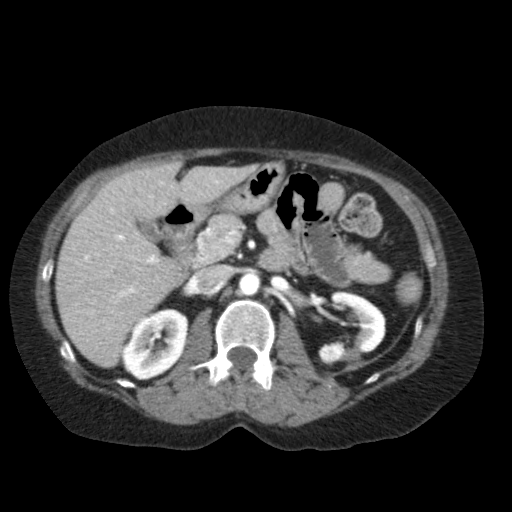
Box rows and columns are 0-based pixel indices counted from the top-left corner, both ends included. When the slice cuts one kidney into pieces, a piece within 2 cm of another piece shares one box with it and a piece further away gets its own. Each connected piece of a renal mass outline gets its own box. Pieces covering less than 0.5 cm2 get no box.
Arterial-phase contrast-enhanced abdominal CT, axial slice 60 of 79 (counted from the lowest slice); 5.00 mm thick, 0.686 mm per pixel. Boxed on this slice (two kidney boxes), listed by box centre from the image's left to its right: (1) Right kidney, box rows 308–380, columns 120–189 (outlined area 3,539 px, about 16.7 cm2). (2) Box rows 291–364, columns 318–385: left kidney (outlined area 3,100 px, about 14.6 cm2). No renal mass is outlined on this slice.
Tube voltage 120 kVp; convolution kernel FC11.